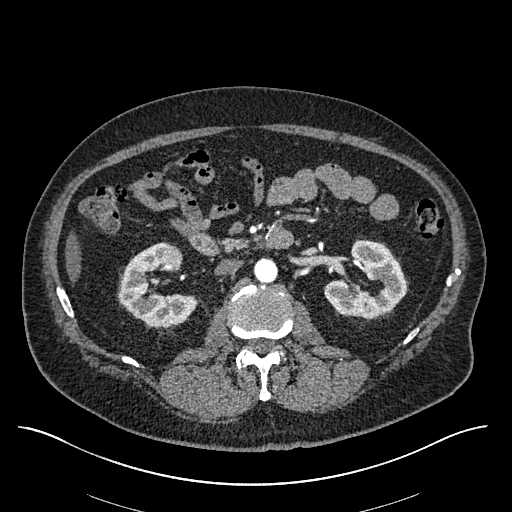
One axial slice (324 of 670, counting up from the lowest) of an arterial-phase abdominal CT acquired with 120 kVp, kernel I30f; each pixel is 0.861 mm and the slice is 1.00 mm thick.
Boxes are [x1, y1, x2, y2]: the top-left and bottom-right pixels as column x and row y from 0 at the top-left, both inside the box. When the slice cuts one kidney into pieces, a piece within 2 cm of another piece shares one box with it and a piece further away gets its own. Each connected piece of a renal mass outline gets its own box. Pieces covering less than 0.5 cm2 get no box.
Boxed on this slice (two kidney boxes and one renal mass box), listed by box centre from the image's left to its right: (1) Right kidney, box [118, 242, 197, 327] (outlined area 3,863 px, about 28.7 cm2). (2) Box [161, 245, 183, 270]: right renal mass (outlined area 416 px, about 3.1 cm2). (3) Left kidney, box [324, 240, 406, 318] (outlined area 4,241 px, about 31.5 cm2).